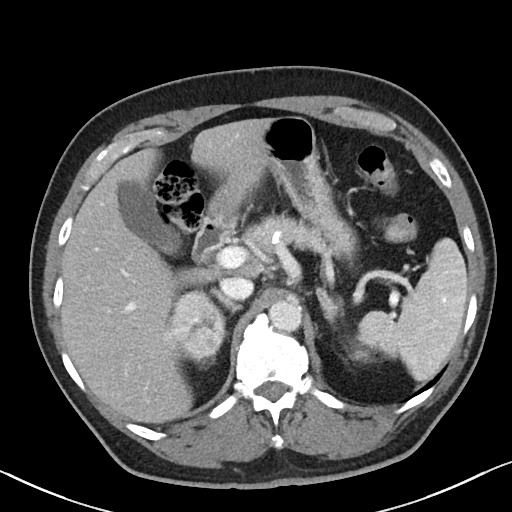
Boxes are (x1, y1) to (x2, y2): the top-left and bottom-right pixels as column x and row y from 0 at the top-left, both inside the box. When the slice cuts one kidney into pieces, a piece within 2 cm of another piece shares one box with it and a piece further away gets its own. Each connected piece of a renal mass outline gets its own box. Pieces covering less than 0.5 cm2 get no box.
Contrast-enhanced abdominal CT, axial slice 69 of 90 (counted from the lowest slice); 5.00 mm thick, 0.684 mm per pixel. Two kidney boxes and one renal mass box on this slice; by box centre, from the image's left to its right: (1) Right kidney, box (164, 323) to (210, 360) (outlined area 517 px, about 2.4 cm2). (2) Right renal mass, box (168, 288) to (226, 354) (outlined area 2,897 px, about 13.5 cm2). (3) Left kidney from (346, 347) to (377, 363) (outlined area 378 px, about 1.8 cm2).
Tube voltage 100 kVp; convolution kernel I40f.